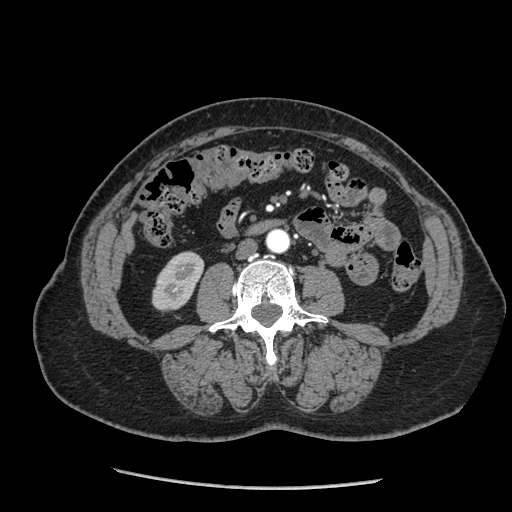
Abdominal CT with intravenous contrast, arterial phase, axial plane, 120 kVp, kernel STANDARD. Slice 90/233 from the bottom of the scan; thickness 1.25 mm; pixel size 0.703 mm.
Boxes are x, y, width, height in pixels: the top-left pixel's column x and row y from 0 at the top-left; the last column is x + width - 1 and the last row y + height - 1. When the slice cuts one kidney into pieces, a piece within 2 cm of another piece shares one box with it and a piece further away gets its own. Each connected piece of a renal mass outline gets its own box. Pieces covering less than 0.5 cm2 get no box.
Box x 151, y 251, width 54, height 61: right kidney (outlined area 2,199 px, about 10.9 cm2). No renal mass outline on this slice.